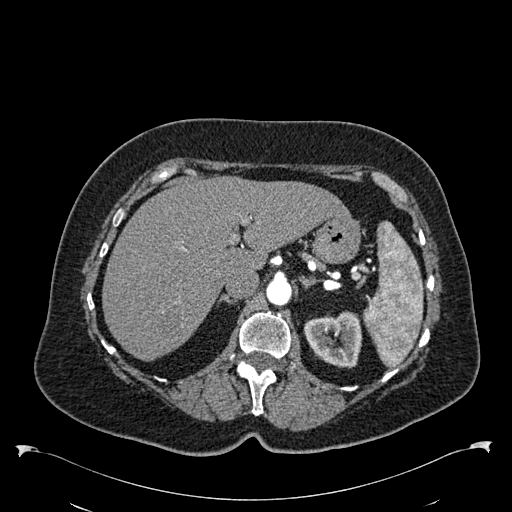
Axial slice 410 of 538 of a contrast-enhanced abdominal CT in the arterial phase (slice 1 is the lowest), 120 kVp, kernel B30f; 1.00 mm slice thickness and 0.811 mm pixels.
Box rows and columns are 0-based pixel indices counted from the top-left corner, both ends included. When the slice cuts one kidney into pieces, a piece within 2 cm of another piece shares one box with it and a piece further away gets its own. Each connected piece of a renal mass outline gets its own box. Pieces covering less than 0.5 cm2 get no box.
Box rows 311–368, columns 304–362: left kidney (outlined area 2,478 px, about 16.3 cm2). This slice carries no renal mass outline.